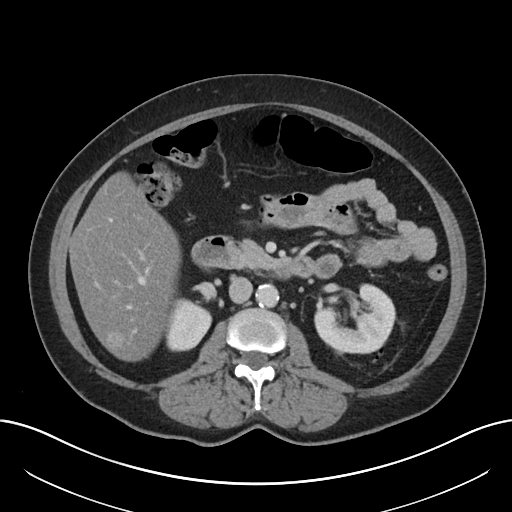
Axial slice 116 of 197 of a contrast-enhanced abdominal CT (slice 1 is the lowest), 120 kVp, kernel I30f; 5.00 mm slice thickness and 0.791 mm pixels.
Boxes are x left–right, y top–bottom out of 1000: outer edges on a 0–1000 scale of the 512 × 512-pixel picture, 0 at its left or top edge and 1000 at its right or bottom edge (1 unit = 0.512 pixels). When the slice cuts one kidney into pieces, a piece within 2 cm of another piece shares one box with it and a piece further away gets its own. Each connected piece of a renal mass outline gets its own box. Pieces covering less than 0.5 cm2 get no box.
Boxed on this slice (two kidney boxes), listed by box centre from the image's left to its right: (1) Right kidney, box x 322–416, y 580–688 out of 1000 (outlined area 1,792 px, about 11.2 cm2). (2) Box x 613–775, y 553–695 out of 1000: left kidney (outlined area 4,187 px, about 26.2 cm2). No renal mass is outlined on this slice.